Arterial-phase contrast-enhanced abdominal CT, axial slice 39 of 195 (counted from the lowest slice); tube voltage 100 kVp, convolution kernel I31f; slices 1.50 mm thick, 0.707 mm per pixel.
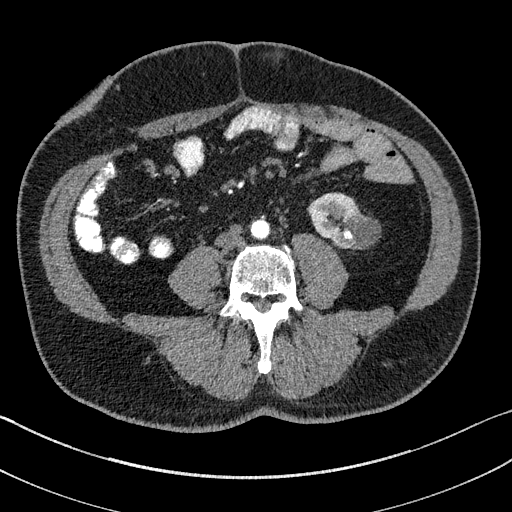
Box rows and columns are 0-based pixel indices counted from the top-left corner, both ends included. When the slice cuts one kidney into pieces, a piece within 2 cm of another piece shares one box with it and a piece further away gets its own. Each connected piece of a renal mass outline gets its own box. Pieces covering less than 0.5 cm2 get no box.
Left kidney at rows 192–248, columns 308–378 (outlined area 2,686 px, about 13.4 cm2). No renal mass outline on this slice.